Axial slice 337 of 591 of a contrast-enhanced abdominal CT in the arterial phase (slice 1 is the lowest), 140 kVp, kernel I30f; 1.00 mm slice thickness and 0.703 mm pixels.
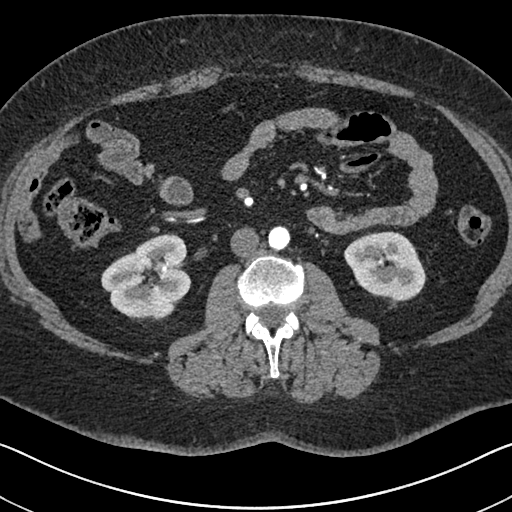
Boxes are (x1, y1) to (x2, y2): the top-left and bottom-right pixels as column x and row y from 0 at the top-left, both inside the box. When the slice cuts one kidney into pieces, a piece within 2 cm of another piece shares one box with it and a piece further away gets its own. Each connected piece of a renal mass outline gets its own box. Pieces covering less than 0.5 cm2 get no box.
Boxed on this slice (two kidney boxes), listed by box centre from the image's left to its right: (1) Box (101, 233) to (191, 321): right kidney (outlined area 5,577 px, about 27.6 cm2). (2) Left kidney, box (344, 231) to (426, 303) (outlined area 4,277 px, about 21.1 cm2). This slice carries no renal mass outline.